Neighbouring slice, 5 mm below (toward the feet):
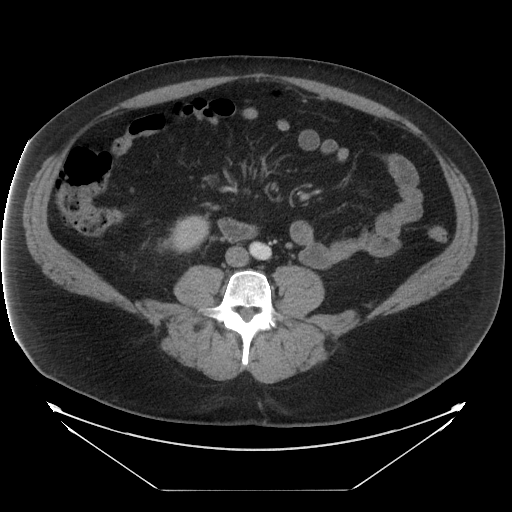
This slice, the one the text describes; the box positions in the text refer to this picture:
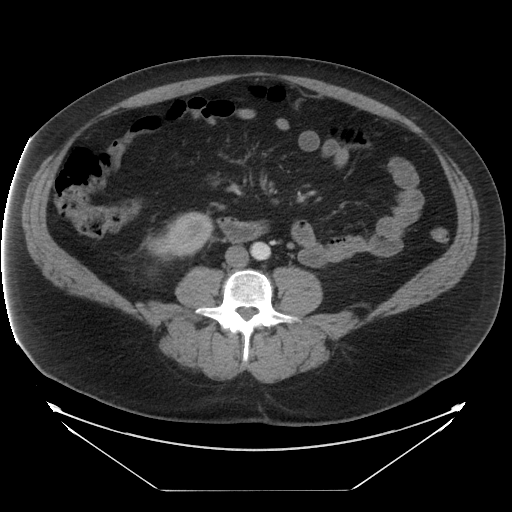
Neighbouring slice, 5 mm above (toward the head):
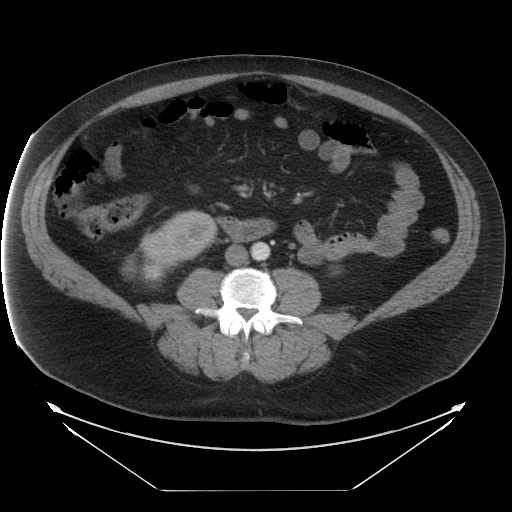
One axial slice (4 of 29, counting up from the lowest) of a contrast-enhanced abdominal CT acquired with 120 kVp, kernel STANDARD; each pixel is 0.977 mm and the slice is 5.00 mm thick.
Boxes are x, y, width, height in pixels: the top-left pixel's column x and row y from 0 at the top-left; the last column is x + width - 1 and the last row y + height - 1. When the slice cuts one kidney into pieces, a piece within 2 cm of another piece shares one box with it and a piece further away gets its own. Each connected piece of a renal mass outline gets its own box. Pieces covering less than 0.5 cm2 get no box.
Boxed on this slice (one kidney box and one renal mass box), listed by box centre from the image's left to its right: (1) Right renal mass at x 143, y 233, width 31, height 27 (outlined area 588 px, about 5.6 cm2). (2) Right kidney at x 161, y 211, width 53, height 49 (outlined area 1,599 px, about 15.2 cm2). This slice is near the end of the right renal mass toward the feet, so the slices 5 mm below and 5 mm above it are shown as well; the boxes refer to this slice only.